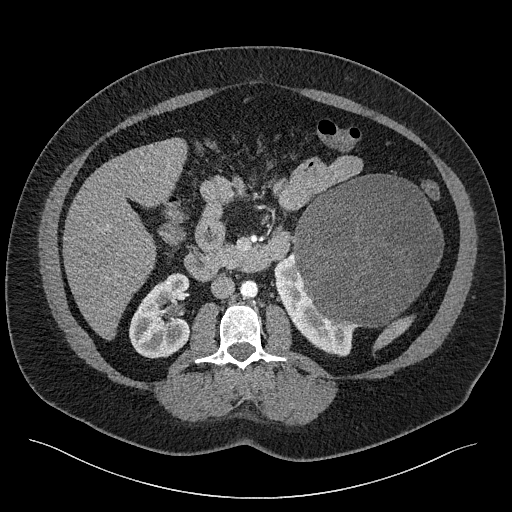
Abdominal CT with intravenous contrast, axial plane, 120 kVp, kernel I40f. Slice 122/301 from the bottom of the scan; thickness 2.00 mm; pixel size 0.859 mm.
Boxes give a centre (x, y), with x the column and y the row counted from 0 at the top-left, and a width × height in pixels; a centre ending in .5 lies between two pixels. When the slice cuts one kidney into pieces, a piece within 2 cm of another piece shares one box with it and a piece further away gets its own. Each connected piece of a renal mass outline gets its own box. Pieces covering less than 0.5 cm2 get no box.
Three boxes on this slice (two kidney boxes and one renal mass box), listed by box centre from the image's left to its right. (1) Right kidney, box centre (159.5, 315), 62 × 87 pixels (outlined area 3,830 px, about 28.3 cm2). (2) Box centre (315, 304), 85 × 105 pixels: left kidney (outlined area 3,088 px, about 22.8 cm2). (3) Box centre (367.5, 250.5), 152 × 154 pixels: left renal mass (outlined area 17,812 px, about 131.5 cm2).